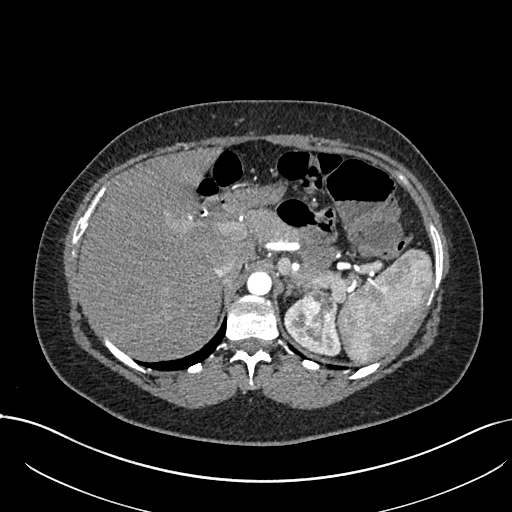
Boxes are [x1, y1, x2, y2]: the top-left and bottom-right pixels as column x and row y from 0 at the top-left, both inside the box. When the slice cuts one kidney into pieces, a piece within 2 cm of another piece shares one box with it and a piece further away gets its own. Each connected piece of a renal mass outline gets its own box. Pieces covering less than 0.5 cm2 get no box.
This is axial slice 551 of 738 (slice 1 is the lowest) of an arterial-phase abdominal CT with contrast; each pixel is 0.789 mm and the slice is 1.00 mm thick. Boxed on this slice (one kidney box and one renal mass box), listed by box centre from the image's left to its right: (1) Box [284, 299, 340, 356]: left kidney (outlined area 1,321 px, about 8.2 cm2). (2) Left renal mass, box [301, 289, 335, 340] (outlined area 1,466 px, about 9.1 cm2).
Acquired at 120 kVp and reconstructed with the I30f kernel.